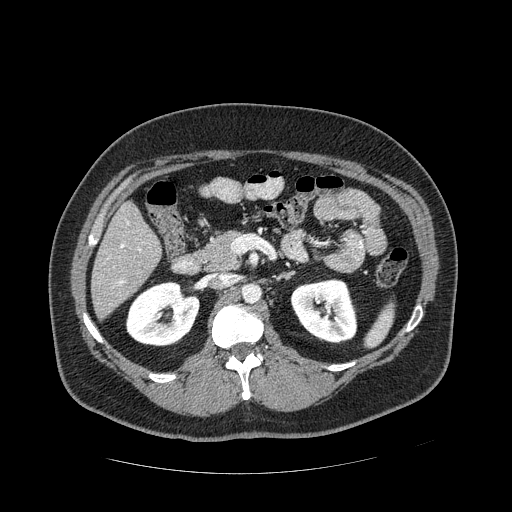
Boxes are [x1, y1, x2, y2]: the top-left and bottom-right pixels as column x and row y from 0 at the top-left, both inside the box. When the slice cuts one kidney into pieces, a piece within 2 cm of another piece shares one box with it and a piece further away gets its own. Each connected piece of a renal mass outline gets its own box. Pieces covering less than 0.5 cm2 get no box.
Slice 266/389 of a contrast-enhanced abdominal CT in the arterial phase, counting up from the lowest; pixel size 0.869 mm, slice thickness 1.25 mm. Boxed on this slice (two kidney boxes), listed by box centre from the image's left to its right: (1) Right kidney at [125, 281, 199, 346] (outlined area 3,706 px, about 28.0 cm2). (2) Left kidney, box [290, 278, 357, 343] (outlined area 3,359 px, about 25.4 cm2). No renal mass is outlined on this slice.
Scan settings: 120 kVp, STANDARD reconstruction kernel.